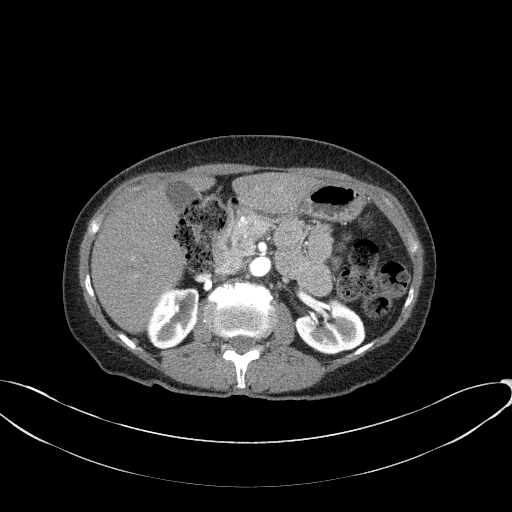
Axial slice 37 of 77 of a contrast-enhanced abdominal CT in the arterial phase (slice 1 is the lowest), 100 kVp, kernel B41f; 3.00 mm slice thickness and 0.809 mm pixels.
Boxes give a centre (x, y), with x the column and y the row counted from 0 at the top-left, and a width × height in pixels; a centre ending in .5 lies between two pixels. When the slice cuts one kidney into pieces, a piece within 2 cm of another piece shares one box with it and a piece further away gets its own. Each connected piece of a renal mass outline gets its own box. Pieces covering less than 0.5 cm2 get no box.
Two kidney boxes on this slice; by box centre, from the image's left to its right: (1) Right kidney in a box with centre (172.5, 319), 54 × 63 pixels (outlined area 2,478 px, about 16.2 cm2). (2) Box centre (329.5, 326), 72 × 57 pixels: left kidney (outlined area 2,840 px, about 18.6 cm2). No renal mass outline on this slice.